Abdominal CT with intravenous contrast, axial plane, 140 kVp, kernel I30f. Slice 471/787 from the bottom of the scan; thickness 1.00 mm; pixel size 0.910 mm.
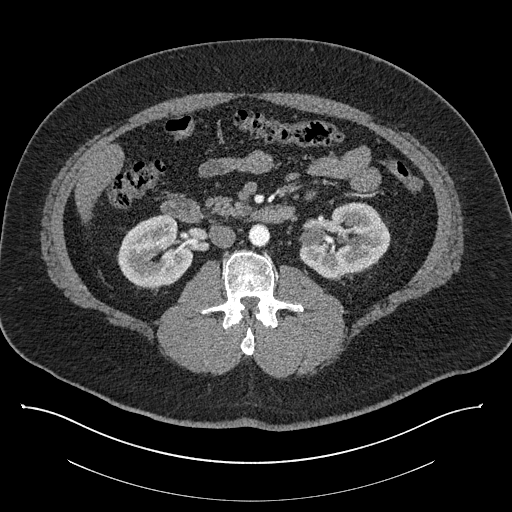
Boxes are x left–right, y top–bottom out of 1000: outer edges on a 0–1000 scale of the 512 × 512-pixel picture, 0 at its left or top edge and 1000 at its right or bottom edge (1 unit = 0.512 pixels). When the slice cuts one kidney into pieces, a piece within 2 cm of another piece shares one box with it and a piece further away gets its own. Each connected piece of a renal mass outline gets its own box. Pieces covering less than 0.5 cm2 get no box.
Two kidney boxes on this slice; by box centre, from the image's left to its right: (1) Right kidney, box x 229–379, y 418–564 out of 1000 (outlined area 4,161 px, about 34.5 cm2). (2) Left kidney, box x 584–764, y 395–547 out of 1000 (outlined area 5,115 px, about 42.4 cm2). No renal mass outline on this slice.